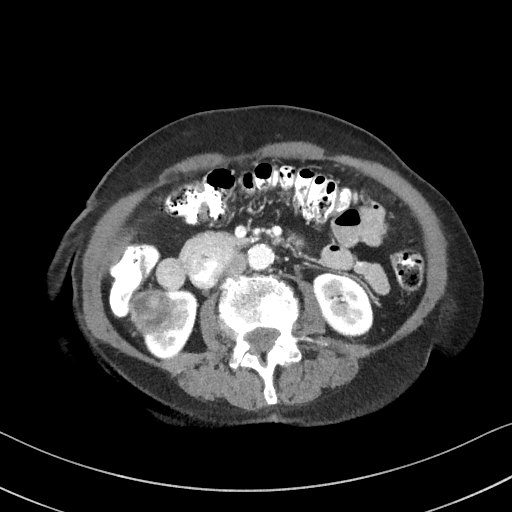
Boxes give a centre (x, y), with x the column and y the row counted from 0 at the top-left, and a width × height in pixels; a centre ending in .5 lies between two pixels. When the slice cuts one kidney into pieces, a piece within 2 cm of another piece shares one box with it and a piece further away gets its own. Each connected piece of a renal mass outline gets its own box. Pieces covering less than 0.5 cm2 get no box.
Contrast-enhanced abdominal CT, axial slice 47 of 92 (counted from the lowest slice); 3.00 mm thick, 0.684 mm per pixel. Boxed on this slice (two kidney boxes and one renal mass box), listed by box centre from the image's left to its right: (1) Right renal mass in a box with centre (152, 311), 49 × 45 pixels (outlined area 1,763 px, about 8.2 cm2). (2) Box centre (168.5, 324), 56 × 69 pixels: right kidney (outlined area 1,863 px, about 8.7 cm2). (3) Left kidney in a box with centre (342.5, 305), 62 × 67 pixels (outlined area 2,787 px, about 13.0 cm2).
Scan settings: 100 kVp, I41f reconstruction kernel.